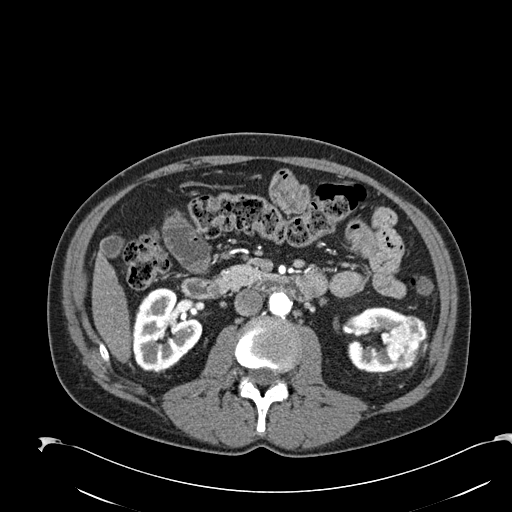
One axial slice (107 of 274, counting up from the lowest) of an arterial-phase abdominal CT acquired with 120 kVp, kernel B30f; each pixel is 0.809 mm and the slice is 2.00 mm thick.
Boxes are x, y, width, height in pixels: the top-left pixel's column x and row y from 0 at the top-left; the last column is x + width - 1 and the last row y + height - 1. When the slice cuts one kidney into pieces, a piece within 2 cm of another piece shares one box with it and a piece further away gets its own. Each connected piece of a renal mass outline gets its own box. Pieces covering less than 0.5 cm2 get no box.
Boxed on this slice (two kidney boxes and one renal mass box), listed by box centre from the image's left to its right: (1) Right kidney at x 132, y 289, width 71, height 83 (outlined area 4,178 px, about 27.3 cm2). (2) Left kidney, box x 347, y 307, width 62, height 68 (outlined area 2,403 px, about 15.7 cm2). (3) Left renal mass at x 385, y 315, width 43, height 58 (outlined area 1,621 px, about 10.6 cm2).